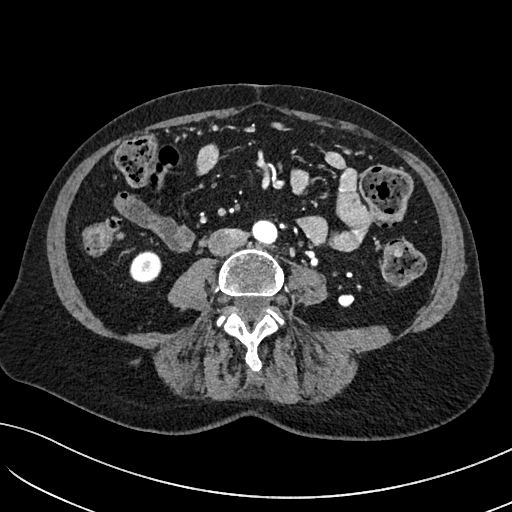
Arterial-phase contrast-enhanced abdominal CT, axial slice 6 of 234 (counted from the lowest slice); tube voltage 100 kVp, convolution kernel I40f; slices 2.00 mm thick, 0.699 mm per pixel.
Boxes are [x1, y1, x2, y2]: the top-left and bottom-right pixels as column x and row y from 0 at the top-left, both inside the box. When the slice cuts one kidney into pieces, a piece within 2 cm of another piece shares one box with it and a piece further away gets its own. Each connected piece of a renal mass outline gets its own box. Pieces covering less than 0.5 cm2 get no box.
Right kidney, box [129, 250, 161, 282] (outlined area 825 px, about 4.0 cm2). No renal mass outline on this slice.